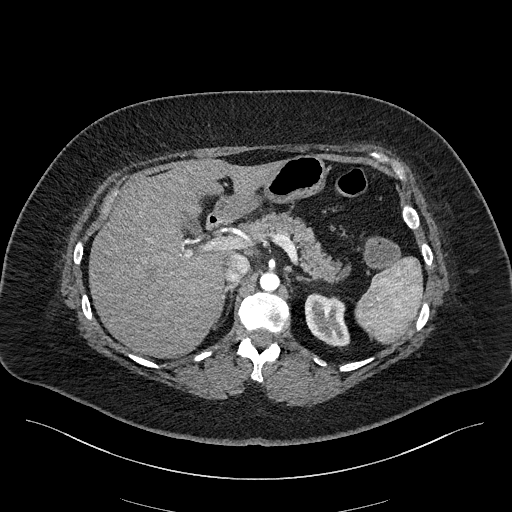
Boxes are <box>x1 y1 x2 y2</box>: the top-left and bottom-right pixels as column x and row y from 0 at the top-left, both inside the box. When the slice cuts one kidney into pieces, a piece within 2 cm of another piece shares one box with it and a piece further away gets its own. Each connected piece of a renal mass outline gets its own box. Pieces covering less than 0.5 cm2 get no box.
Arterial-phase contrast-enhanced abdominal CT, axial slice 153 of 270 (counted from the lowest slice); 2.00 mm thick, 0.855 mm per pixel. At <box>304 293 349 347</box>: left kidney (outlined area 1,851 px, about 13.5 cm2). This slice carries no renal mass outline.
Tube voltage 100 kVp; convolution kernel I40f.